One axial slice (308 of 527, counting up from the lowest) of an arterial-phase abdominal CT acquired with 120 kVp, kernel I30f; each pixel is 0.859 mm and the slice is 1.00 mm thick.
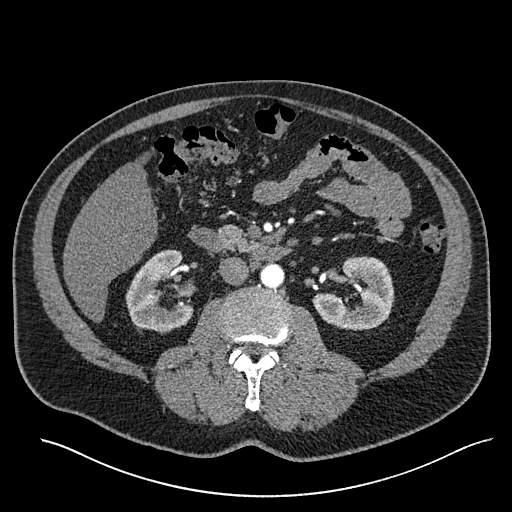
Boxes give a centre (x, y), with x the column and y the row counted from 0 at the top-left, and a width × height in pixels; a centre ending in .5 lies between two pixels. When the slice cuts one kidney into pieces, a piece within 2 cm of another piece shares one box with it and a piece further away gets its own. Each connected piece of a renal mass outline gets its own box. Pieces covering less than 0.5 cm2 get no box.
Boxed on this slice (two kidney boxes), listed by box centre from the image's left to its right: (1) Right kidney in a box with centre (159, 290), 69 × 83 pixels (outlined area 3,881 px, about 28.7 cm2). (2) Box centre (353, 293), 83 × 75 pixels: left kidney (outlined area 4,119 px, about 30.4 cm2). This slice carries no renal mass outline.